One axial slice (70 of 325, counting up from the lowest) of an arterial-phase abdominal CT acquired with 100 kVp, kernel I30f; each pixel is 0.703 mm and the slice is 1.00 mm thick.
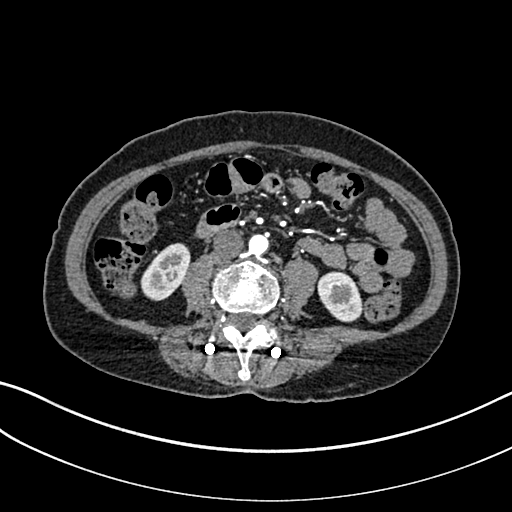
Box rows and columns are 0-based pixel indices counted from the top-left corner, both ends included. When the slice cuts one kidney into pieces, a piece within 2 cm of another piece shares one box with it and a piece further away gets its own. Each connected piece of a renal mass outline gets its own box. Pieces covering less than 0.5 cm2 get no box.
Two kidney boxes on this slice; by box centre, from the image's left to its right: (1) Right kidney, box rows 243–300, columns 140–190 (outlined area 1,968 px, about 9.7 cm2). (2) Left kidney at rows 271–322, columns 317–363 (outlined area 1,751 px, about 8.7 cm2). No renal mass outline on this slice.